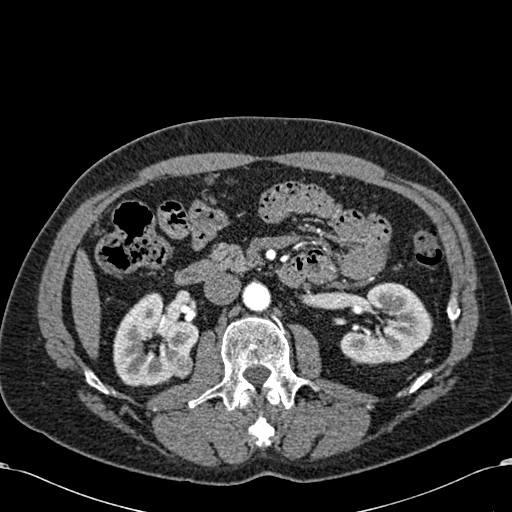
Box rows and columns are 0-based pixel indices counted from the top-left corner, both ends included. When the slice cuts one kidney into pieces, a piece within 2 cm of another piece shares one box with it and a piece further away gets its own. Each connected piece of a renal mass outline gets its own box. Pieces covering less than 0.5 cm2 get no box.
This is axial slice 348 of 581 (slice 1 is the lowest) of an arterial-phase abdominal CT with contrast; each pixel is 0.713 mm and the slice is 1.00 mm thick. Three boxes on this slice (two kidney boxes and one renal mass box), listed by box centre from the image's left to its right. (1) Box rows 292–386, columns 113–198: right kidney (outlined area 5,305 px, about 27.0 cm2). (2) Box rows 353–378, columns 169–193: right renal mass (outlined area 493 px, about 2.5 cm2). (3) Left kidney, box rows 282–365, columns 339–433 (outlined area 5,176 px, about 26.3 cm2).
Tube voltage 120 kVp; convolution kernel B30f.